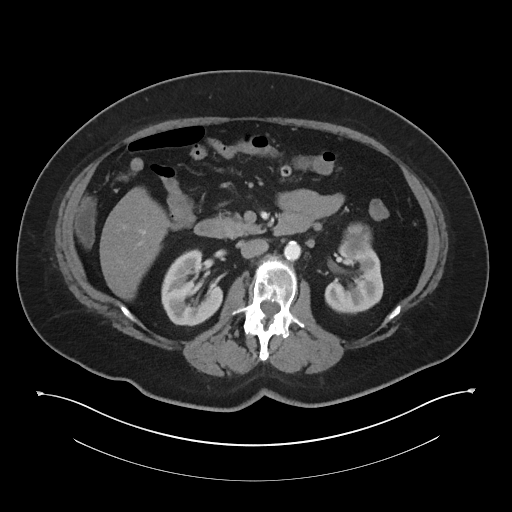
Abdominal CT with intravenous contrast, axial plane, 120 kVp, kernel I30f. Slice 23/60 from the bottom of the scan; thickness 5.00 mm; pixel size 0.971 mm.
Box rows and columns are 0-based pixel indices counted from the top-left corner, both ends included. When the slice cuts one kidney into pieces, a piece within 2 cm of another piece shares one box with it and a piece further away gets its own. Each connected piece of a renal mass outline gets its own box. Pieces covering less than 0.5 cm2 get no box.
Boxed on this slice (two kidney boxes and one renal mass box), listed by box centre from the image's left to its right: (1) Right kidney, box rows 249–326, columns 161–222 (outlined area 3,384 px, about 31.9 cm2). (2) Box rows 245–313, columns 324–383: left kidney (outlined area 2,757 px, about 26.0 cm2). (3) Left renal mass at rows 223–259, columns 341–371 (outlined area 873 px, about 8.2 cm2).